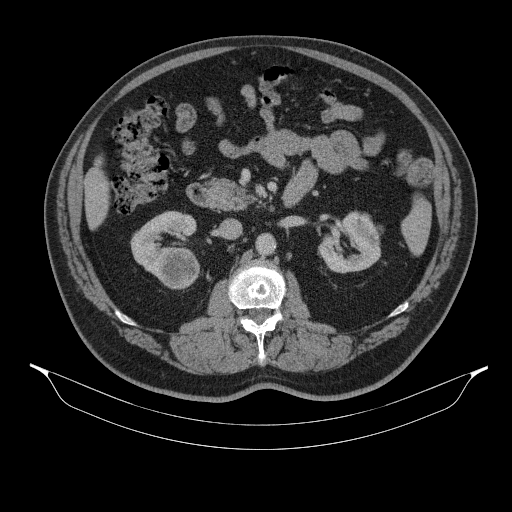
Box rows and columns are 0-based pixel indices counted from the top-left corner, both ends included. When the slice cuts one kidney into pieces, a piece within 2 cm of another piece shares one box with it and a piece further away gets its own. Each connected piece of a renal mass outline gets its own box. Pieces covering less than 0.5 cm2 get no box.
This is axial slice 200 of 314 (slice 1 is the lowest) of an abdominal CT with contrast; each pixel is 0.934 mm and the slice is 2.50 mm thick. Three boxes on this slice (two kidney boxes and one renal mass box), listed by box centre from the image's left to its right. (1) Right kidney at rows 211–277, columns 130–197 (outlined area 2,343 px, about 20.4 cm2). (2) Box rows 247–289, columns 156–199: right renal mass (outlined area 1,444 px, about 12.6 cm2). (3) Left kidney, box rows 211–273, columns 318–383 (outlined area 2,763 px, about 24.1 cm2).
Acquired at 130 kVp and reconstructed with the B31s kernel.